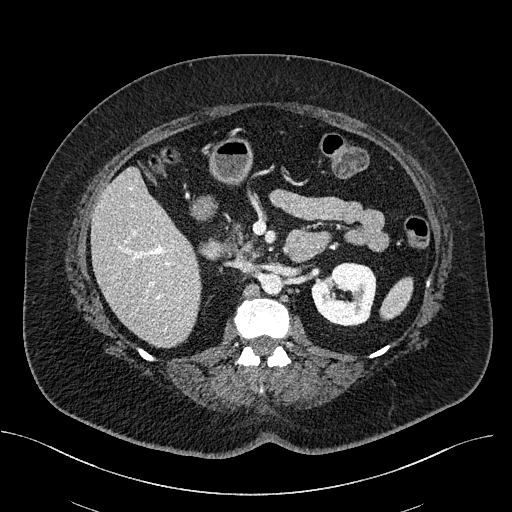
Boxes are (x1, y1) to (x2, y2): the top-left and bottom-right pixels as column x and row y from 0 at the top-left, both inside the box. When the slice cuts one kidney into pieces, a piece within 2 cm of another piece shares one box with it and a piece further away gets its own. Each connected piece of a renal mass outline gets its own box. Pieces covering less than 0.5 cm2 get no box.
Contrast-enhanced abdominal CT, axial slice 313 of 470 (counted from the lowest slice); 2.00 mm thick, 0.824 mm per pixel. Left kidney from (311, 262) to (376, 326) (outlined area 3,183 px, about 21.6 cm2). This slice carries no renal mass outline.
Scan settings: 100 kVp, I40f reconstruction kernel.